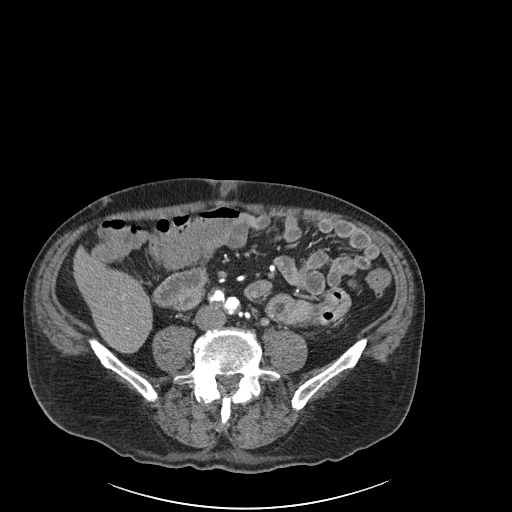
Arterial-phase contrast-enhanced abdominal CT, axial slice 29 of 261 (counted from the lowest slice); 2.00 mm thick, 0.939 mm per pixel. This slice carries no outline: it lies beyond the outlined kidneys and beyond every outlined renal mass. Other organs are not outlined in this scan.
Acquired at 120 kVp and reconstructed with the I30f kernel.